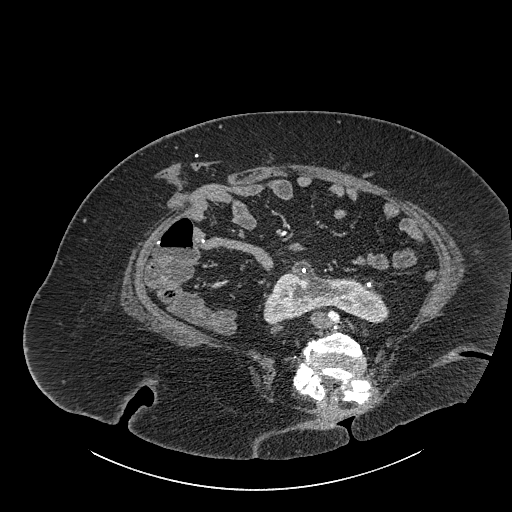
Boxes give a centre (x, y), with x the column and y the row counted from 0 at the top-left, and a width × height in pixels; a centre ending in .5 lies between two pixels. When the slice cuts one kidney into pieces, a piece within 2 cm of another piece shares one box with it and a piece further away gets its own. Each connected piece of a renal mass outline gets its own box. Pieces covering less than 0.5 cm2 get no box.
Contrast-enhanced abdominal CT, axial slice 439 of 834 (counted from the lowest slice); 1.00 mm thick, 0.977 mm per pixel. Box centre (325.5, 292), 126 × 65 pixels: kidney crossing the body midline (outlined area 4,639 px, about 44.2 cm2). No renal mass outline on this slice.
Acquired at 140 kVp and reconstructed with the I30f kernel.